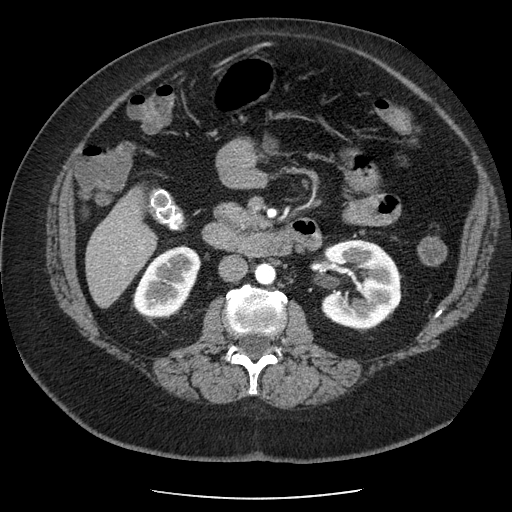
Axial slice 118 of 186 of a contrast-enhanced abdominal CT in the arterial phase (slice 1 is the lowest), 120 kVp, kernel STANDARD; 2.50 mm slice thickness and 0.742 mm pixels.
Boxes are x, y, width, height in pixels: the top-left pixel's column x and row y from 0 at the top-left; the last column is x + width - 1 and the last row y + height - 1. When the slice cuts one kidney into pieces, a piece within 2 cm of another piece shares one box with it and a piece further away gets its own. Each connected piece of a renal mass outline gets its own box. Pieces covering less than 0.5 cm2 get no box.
Two kidney boxes on this slice; by box centre, from the image's left to its right: (1) Right kidney at x 132, y 245, width 69, height 74 (outlined area 3,470 px, about 19.1 cm2). (2) Box x 321, y 239, width 81, height 90: left kidney (outlined area 5,810 px, about 32.0 cm2). No renal mass outline on this slice.